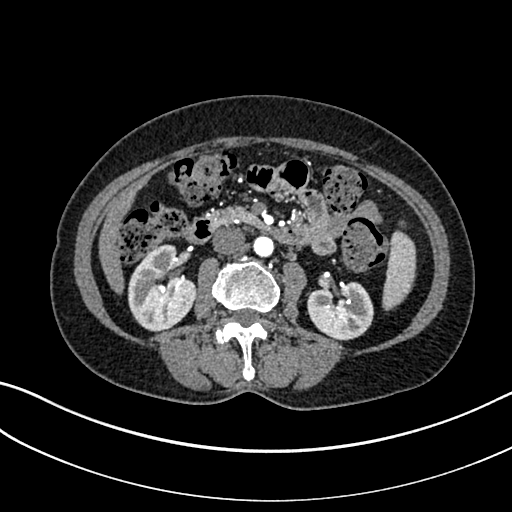
Abdominal CT with intravenous contrast, arterial phase, axial plane, 100 kVp, kernel I30f. Slice 141/325 from the bottom of the scan; thickness 1.00 mm; pixel size 0.703 mm.
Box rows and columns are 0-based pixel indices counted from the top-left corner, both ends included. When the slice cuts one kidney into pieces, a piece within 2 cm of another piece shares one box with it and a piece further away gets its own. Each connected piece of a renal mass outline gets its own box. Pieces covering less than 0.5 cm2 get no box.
Boxed on this slice (two kidney boxes), listed by box centre from the image's left to its right: (1) Box rows 244–331, columns 128–196: right kidney (outlined area 4,321 px, about 21.4 cm2). (2) Left kidney, box rows 281–340, columns 307–373 (outlined area 3,061 px, about 15.1 cm2). No renal mass outline on this slice.